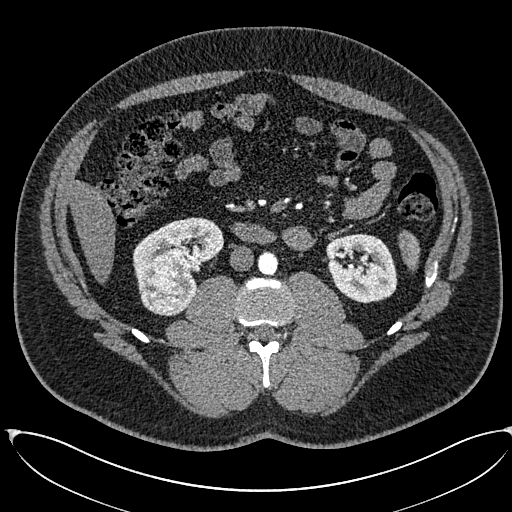
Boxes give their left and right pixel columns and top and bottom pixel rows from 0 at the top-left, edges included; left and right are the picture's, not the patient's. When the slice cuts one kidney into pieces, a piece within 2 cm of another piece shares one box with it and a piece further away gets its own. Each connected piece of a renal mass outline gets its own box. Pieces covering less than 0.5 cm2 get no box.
Slice 300/673 of a contrast-enhanced abdominal CT in the arterial phase, counting up from the lowest; pixel size 0.855 mm, slice thickness 1.00 mm. Boxed on this slice (two kidney boxes and one renal mass box), listed by box centre from the image's left to its right: (1) Right renal mass in the box with left 139, top 247, right 192, bottom 316 (outlined area 2,822 px, about 20.7 cm2). (2) Box with left 133, top 217, right 223, bottom 297: right kidney (outlined area 3,336 px, about 24.4 cm2). (3) Left kidney, the box with left 325, top 233, right 397, bottom 303 (outlined area 3,899 px, about 28.5 cm2).
Acquired at 120 kVp and reconstructed with the I30f kernel.